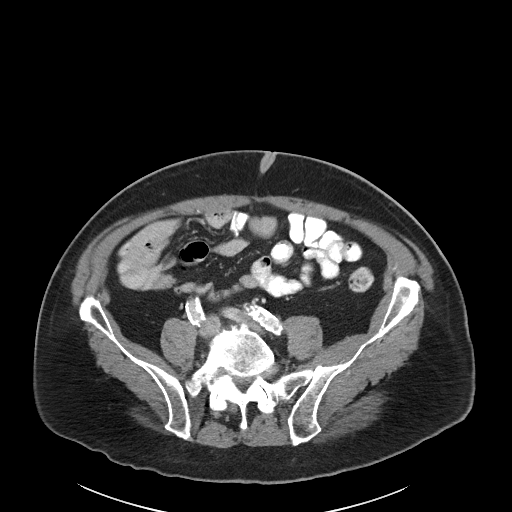
Abdominal CT with intravenous contrast, arterial phase, axial plane, 100 kVp, kernel I40f. Slice 39/89 from the bottom of the scan; thickness 5.00 mm; pixel size 0.885 mm.
No kidney and no renal mass is outlined on this slice; the outlines in this scan cover only the kidneys and the renal masses, so nothing is said about any other organ.